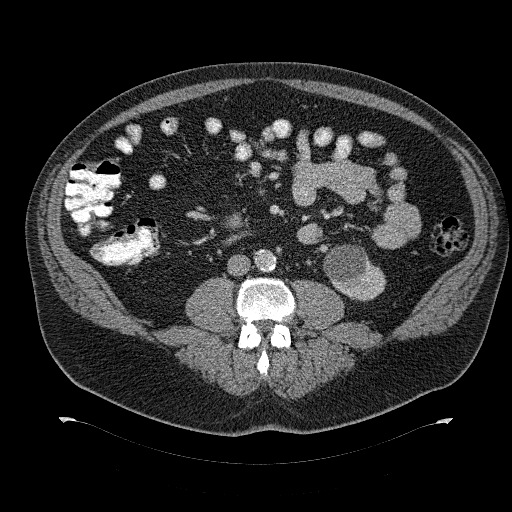
Abdominal CT with intravenous contrast, axial plane, 120 kVp, kernel B31f. Slice 153/274 from the bottom of the scan; thickness 2.00 mm; pixel size 0.977 mm.
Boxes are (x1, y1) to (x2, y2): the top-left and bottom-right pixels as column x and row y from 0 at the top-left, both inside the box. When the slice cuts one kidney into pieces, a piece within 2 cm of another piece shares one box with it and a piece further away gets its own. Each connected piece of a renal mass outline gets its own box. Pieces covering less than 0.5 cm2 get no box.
Left kidney from (323, 244) to (386, 301) (outlined area 2,514 px, about 24.0 cm2). No renal mass is outlined on this slice.